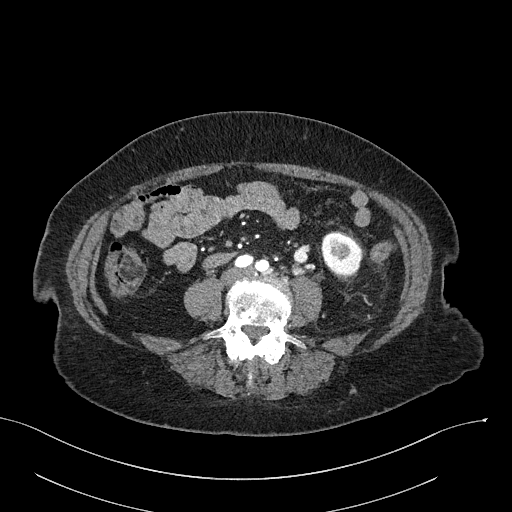
Abdominal CT with intravenous contrast, arterial phase, axial plane, 100 kVp, kernel I40f. Slice 74/316 from the bottom of the scan; thickness 2.00 mm; pixel size 0.840 mm.
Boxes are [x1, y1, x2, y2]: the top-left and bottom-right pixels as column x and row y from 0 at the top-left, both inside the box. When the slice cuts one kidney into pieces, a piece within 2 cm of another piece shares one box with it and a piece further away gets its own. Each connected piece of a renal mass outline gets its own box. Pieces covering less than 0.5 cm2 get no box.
Left kidney at [321, 232, 361, 274] (outlined area 1,408 px, about 9.9 cm2). No renal mass is outlined on this slice.